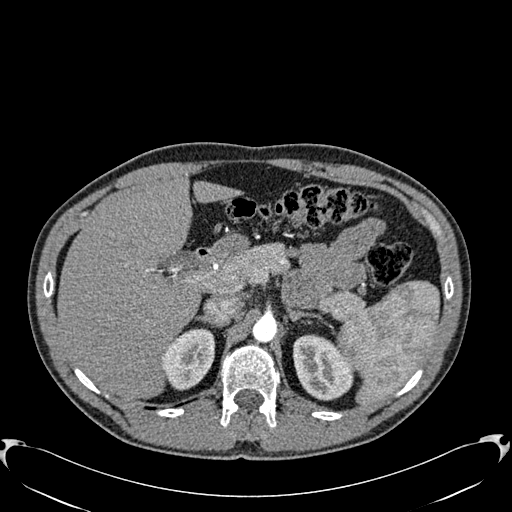
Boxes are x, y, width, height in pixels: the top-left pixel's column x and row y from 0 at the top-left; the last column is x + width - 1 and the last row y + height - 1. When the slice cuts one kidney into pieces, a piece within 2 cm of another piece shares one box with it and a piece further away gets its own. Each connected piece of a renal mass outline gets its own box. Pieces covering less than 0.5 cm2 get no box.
Slice 428/512 of a contrast-enhanced abdominal CT in the arterial phase, counting up from the lowest; pixel size 0.771 mm, slice thickness 1.00 mm. Three boxes on this slice (two kidney boxes and one renal mass box), listed by box centre from the image's left to its right. (1) Right kidney at x 162, y 329, width 54, height 62 (outlined area 2,074 px, about 12.3 cm2). (2) Right renal mass, box x 197, y 347, width 18, height 23 (outlined area 306 px, about 1.8 cm2). (3) Left kidney, box x 292, y 334, width 62, height 67 (outlined area 2,978 px, about 17.7 cm2).
Scan settings: 120 kVp, B30f reconstruction kernel.